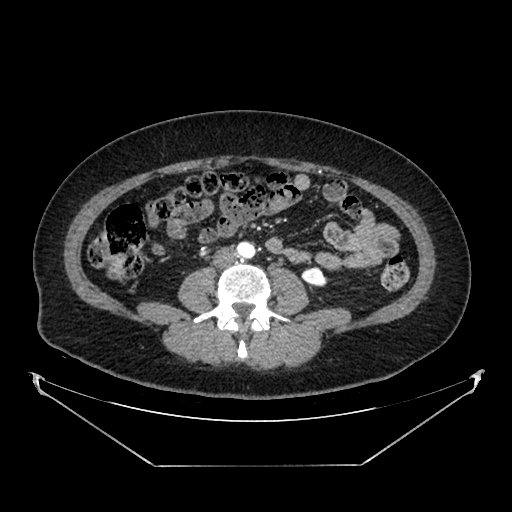
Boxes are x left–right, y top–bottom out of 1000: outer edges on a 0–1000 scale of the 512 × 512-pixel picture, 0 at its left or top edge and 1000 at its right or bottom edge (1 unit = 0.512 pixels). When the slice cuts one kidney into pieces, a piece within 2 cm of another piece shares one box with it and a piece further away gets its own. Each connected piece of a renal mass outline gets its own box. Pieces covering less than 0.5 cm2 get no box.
Arterial-phase contrast-enhanced abdominal CT, axial slice 184 of 383 (counted from the lowest slice); 1.25 mm thick, 0.898 mm per pixel. Left kidney at x 588–639, y 520–559 out of 1000 (outlined area 369 px, about 3.0 cm2). No renal mass is outlined on this slice.
Tube voltage 100 kVp; convolution kernel SOFT.